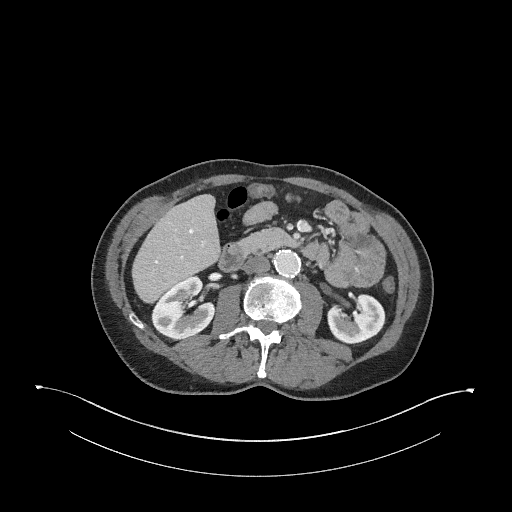
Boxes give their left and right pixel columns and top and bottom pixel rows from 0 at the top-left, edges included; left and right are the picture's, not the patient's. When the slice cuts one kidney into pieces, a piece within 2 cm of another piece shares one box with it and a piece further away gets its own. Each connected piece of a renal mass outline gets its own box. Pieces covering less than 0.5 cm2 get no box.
Slice 149/345 of a contrast-enhanced abdominal CT in the arterial phase, counting up from the lowest; pixel size 0.977 mm, slice thickness 2.00 mm. Two boxes on this slice (two kidney boxes), listed by box centre from the image's left to its right. (1) Box with left 151, top 275, right 215, bottom 339: right kidney (outlined area 2,843 px, about 27.1 cm2). (2) Left kidney, the box with left 327, top 293, right 385, bottom 344 (outlined area 2,211 px, about 21.1 cm2). This slice carries no renal mass outline.
Tube voltage 120 kVp; convolution kernel I31f.